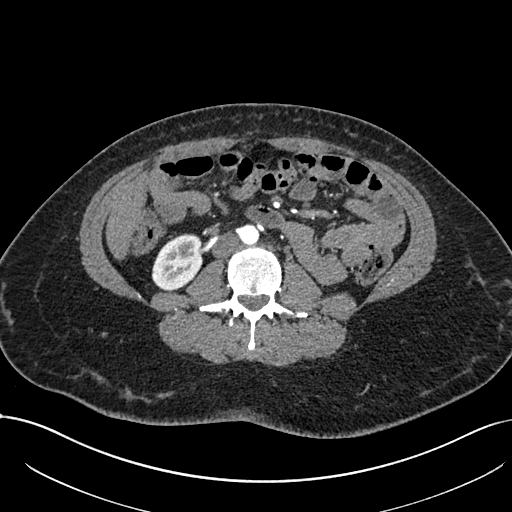
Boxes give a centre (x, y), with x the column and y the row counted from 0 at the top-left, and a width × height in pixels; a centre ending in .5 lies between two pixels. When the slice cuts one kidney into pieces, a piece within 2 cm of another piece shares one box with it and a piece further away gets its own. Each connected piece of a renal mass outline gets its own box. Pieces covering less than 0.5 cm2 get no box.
This is axial slice 333 of 738 (slice 1 is the lowest) of an arterial-phase abdominal CT with contrast; each pixel is 0.789 mm and the slice is 1.00 mm thick. Right kidney in a box with centre (176.5, 262), 52 × 59 pixels (outlined area 2,219 px, about 13.8 cm2). This slice carries no renal mass outline.
Scan settings: 120 kVp, I30f reconstruction kernel.